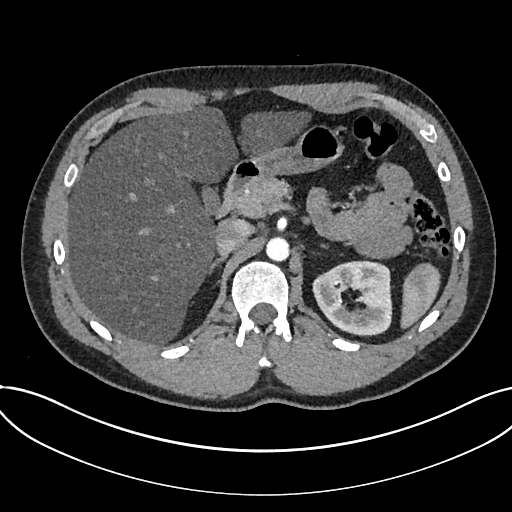
Arterial-phase contrast-enhanced abdominal CT, axial slice 505 of 735 (counted from the lowest slice); tube voltage 120 kVp, convolution kernel I30f; slices 1.00 mm thick, 0.789 mm per pixel.
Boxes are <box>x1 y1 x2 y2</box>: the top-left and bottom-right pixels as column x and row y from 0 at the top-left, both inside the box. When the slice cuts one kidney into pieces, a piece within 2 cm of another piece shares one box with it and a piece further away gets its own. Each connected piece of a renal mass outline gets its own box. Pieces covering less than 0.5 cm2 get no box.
Kidney at <box>312 260 392 336</box> (outlined area 4,651 px, about 29.0 cm2). No renal mass outline on this slice.